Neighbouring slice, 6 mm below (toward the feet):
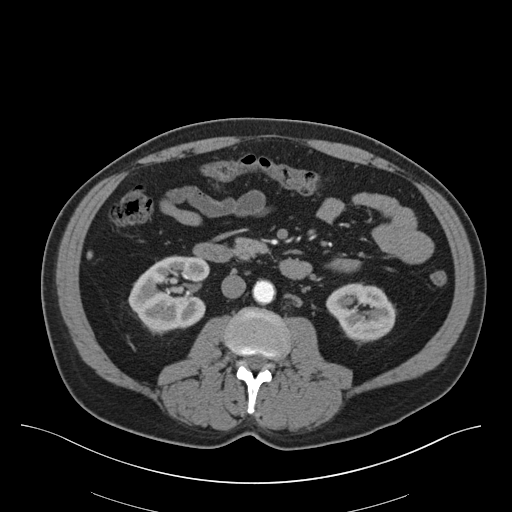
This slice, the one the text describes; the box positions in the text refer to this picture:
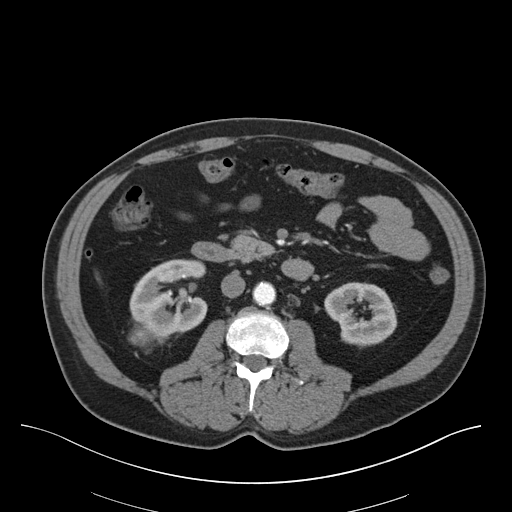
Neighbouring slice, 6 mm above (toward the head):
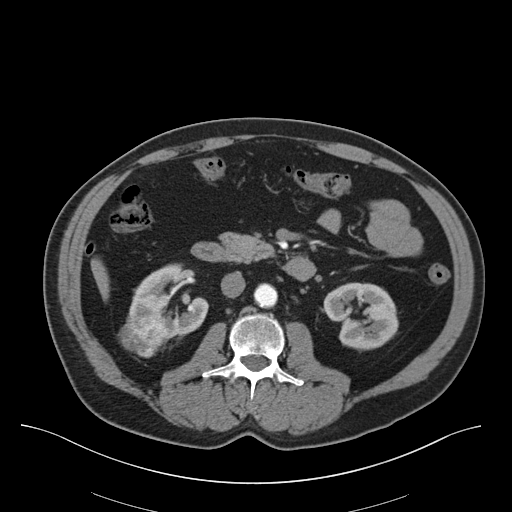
Axial slice 25 of 75 of a contrast-enhanced abdominal CT (slice 1 is the lowest), 140 kVp, kernel B30f; 3.00 mm slice thickness and 0.875 mm pixels.
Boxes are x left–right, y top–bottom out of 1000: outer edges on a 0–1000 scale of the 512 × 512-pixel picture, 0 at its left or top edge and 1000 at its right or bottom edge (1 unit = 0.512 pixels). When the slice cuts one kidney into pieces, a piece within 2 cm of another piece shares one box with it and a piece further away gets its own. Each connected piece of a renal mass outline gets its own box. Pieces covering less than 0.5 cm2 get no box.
Two kidney boxes and one renal mass box on this slice; by box centre, from the image's left to its right: (1) Right renal mass, box x 250–326, y 629–678 out of 1000 (outlined area 555 px, about 4.2 cm2). (2) Box x 252–406, y 506–662 out of 1000: right kidney (outlined area 4,359 px, about 33.4 cm2). (3) Left kidney at x 633–777, y 551–680 out of 1000 (outlined area 3,373 px, about 25.8 cm2). This slice lies near the end of the right renal mass toward the feet; the slices 6 mm below and 6 mm above it are shown too, and the boxes mark positions on this slice only.